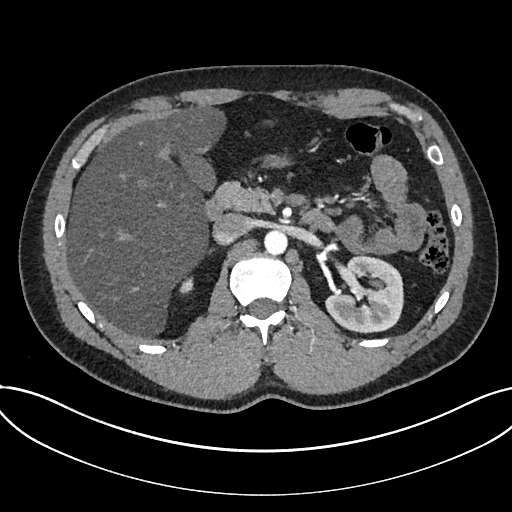
Abdominal CT with intravenous contrast, arterial phase, axial plane, 120 kVp, kernel I30f. Slice 474/735 from the bottom of the scan; thickness 1.00 mm; pixel size 0.789 mm.
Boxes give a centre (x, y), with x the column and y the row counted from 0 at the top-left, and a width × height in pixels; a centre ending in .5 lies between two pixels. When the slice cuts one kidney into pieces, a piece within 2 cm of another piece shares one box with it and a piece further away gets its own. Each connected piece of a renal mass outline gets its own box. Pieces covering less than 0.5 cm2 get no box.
Two kidney boxes on this slice; by box centre, from the image's left to its right: (1) Kidney in a box with centre (186, 285), 15 × 19 pixels (outlined area 183 px, about 1.1 cm2). (2) Kidney, box centre (364.5, 293.5), 80 × 80 pixels (outlined area 4,627 px, about 28.8 cm2). No renal mass outline on this slice.